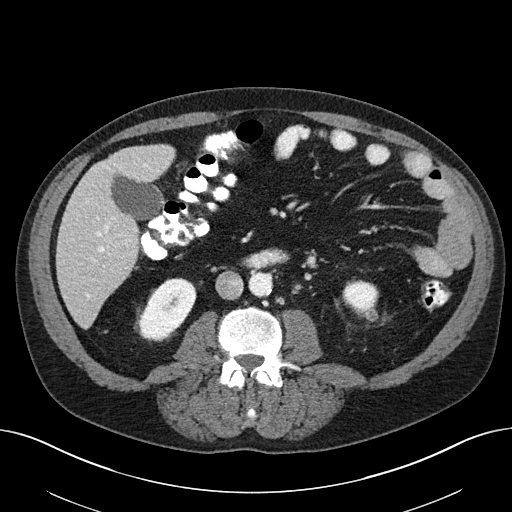
One axial slice (97 of 163, counting up from the lowest) of a contrast-enhanced abdominal CT acquired with 100 kVp, kernel I40f; each pixel is 0.799 mm and the slice is 3.00 mm thick.
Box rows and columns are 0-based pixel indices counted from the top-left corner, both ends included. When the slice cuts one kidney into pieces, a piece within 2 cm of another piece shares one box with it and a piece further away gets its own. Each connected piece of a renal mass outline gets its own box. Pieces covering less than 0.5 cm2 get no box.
Two kidney boxes on this slice; by box centre, from the image's left to its right: (1) Right kidney at rows 278–341, columns 136–196 (outlined area 2,542 px, about 16.2 cm2). (2) Left kidney, box rows 280–320, columns 342–378 (outlined area 1,049 px, about 6.7 cm2). This slice carries no renal mass outline.